Contrast-enhanced abdominal CT, axial slice 82 of 99 (counted from the lowest slice); tube voltage 120 kVp, convolution kernel STANDARD; slices 5.00 mm thick, 0.938 mm per pixel.
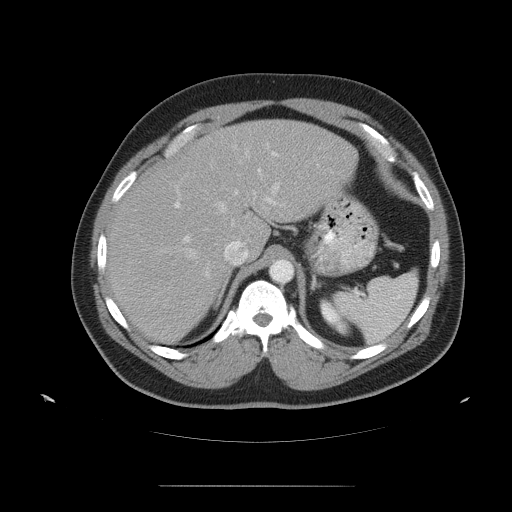
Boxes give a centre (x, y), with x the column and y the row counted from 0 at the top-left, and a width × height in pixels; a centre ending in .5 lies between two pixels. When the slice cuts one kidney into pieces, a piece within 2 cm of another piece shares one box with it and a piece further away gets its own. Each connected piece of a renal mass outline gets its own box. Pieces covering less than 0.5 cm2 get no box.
Left kidney, box centre (335, 316.5), 33 × 40 pixels (outlined area 657 px, about 5.8 cm2). No renal mass is outlined on this slice.